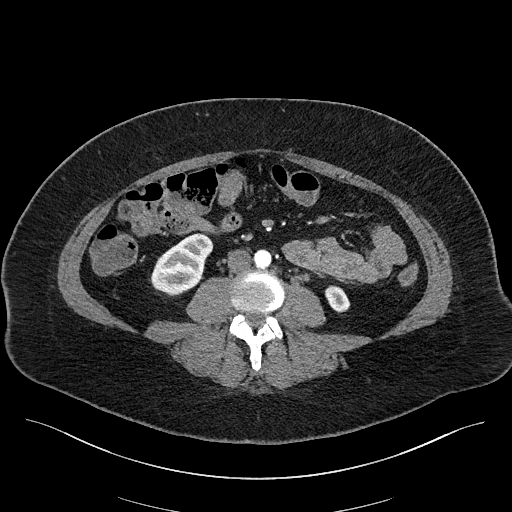
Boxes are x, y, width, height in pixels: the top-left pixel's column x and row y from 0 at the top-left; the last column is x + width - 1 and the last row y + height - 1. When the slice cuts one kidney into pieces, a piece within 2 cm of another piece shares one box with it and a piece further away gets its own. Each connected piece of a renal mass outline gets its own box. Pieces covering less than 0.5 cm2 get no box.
This is axial slice 57 of 270 (slice 1 is the lowest) of an arterial-phase abdominal CT with contrast; each pixel is 0.855 mm and the slice is 2.00 mm thick. Two boxes on this slice (two kidney boxes), listed by box centre from the image's left to its right. (1) Right kidney at x 150, y 233, width 64, height 64 (outlined area 2,586 px, about 18.9 cm2). (2) Left kidney at x 324, y 285, width 27, height 28 (outlined area 507 px, about 3.7 cm2). No renal mass outline on this slice.
Acquired at 100 kVp and reconstructed with the I40f kernel.